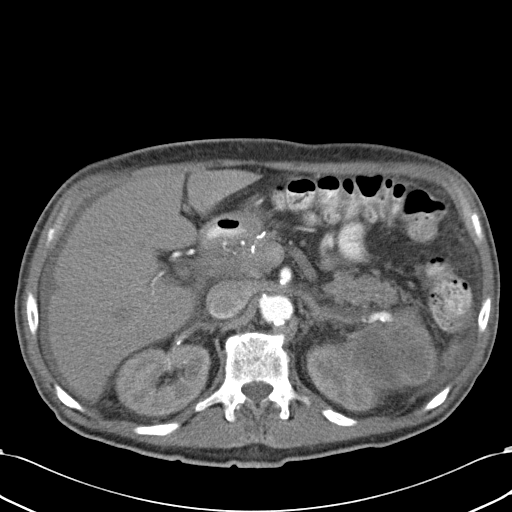
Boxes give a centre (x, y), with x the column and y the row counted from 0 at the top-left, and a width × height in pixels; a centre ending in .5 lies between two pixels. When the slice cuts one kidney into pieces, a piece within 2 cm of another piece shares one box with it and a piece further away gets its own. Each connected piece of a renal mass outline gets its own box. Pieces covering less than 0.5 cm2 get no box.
Slice 21/43 of a contrast-enhanced abdominal CT, counting up from the lowest; pixel size 0.701 mm, slice thickness 5.00 mm. Boxed on this slice (two kidney boxes and one renal mass box), listed by box centre from the image's left to its right: (1) Box centre (162.5, 381), 98 × 75 pixels: right kidney (outlined area 5,554 px, about 27.3 cm2). (2) Left kidney, box centre (345, 372), 79 × 79 pixels (outlined area 3,224 px, about 15.9 cm2). (3) Box centre (394, 349.5), 89 × 88 pixels: left renal mass (outlined area 5,512 px, about 27.1 cm2).
Scan settings: 120 kVp, B31f reconstruction kernel.